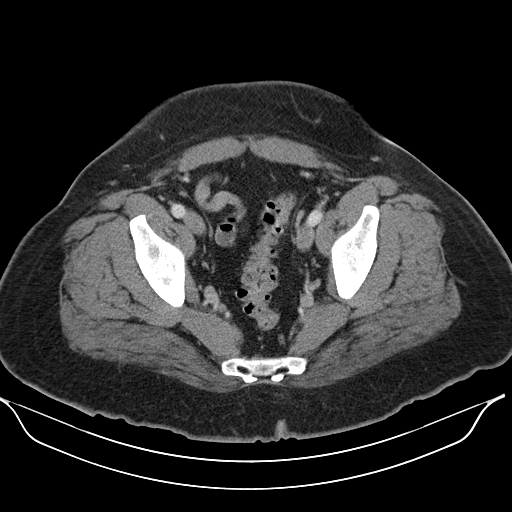
One axial slice (29 of 110, counting up from the lowest) of an arterial-phase abdominal CT acquired with 130 kVp, kernel B30s; each pixel is 0.836 mm and the slice is 5.00 mm thick.
Neither a kidney nor a renal mass is outlined here. Only kidneys and renal masses are outlined anywhere in this scan; other structures are never outlined.